Contrast-enhanced abdominal CT, axial slice 93 of 137 (counted from the lowest slice); tube voltage 120 kVp, convolution kernel FC52; slices 3.00 mm thick, 0.741 mm per pixel.
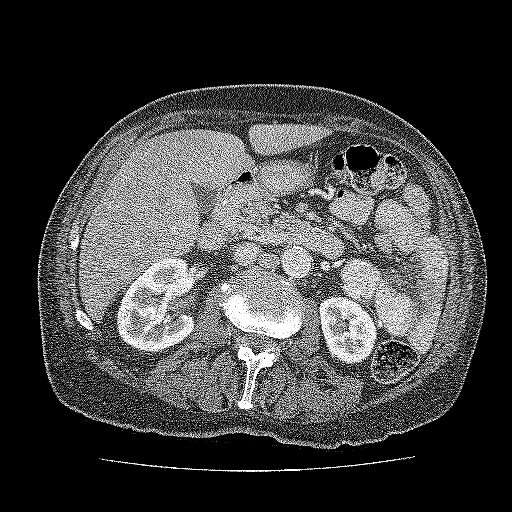
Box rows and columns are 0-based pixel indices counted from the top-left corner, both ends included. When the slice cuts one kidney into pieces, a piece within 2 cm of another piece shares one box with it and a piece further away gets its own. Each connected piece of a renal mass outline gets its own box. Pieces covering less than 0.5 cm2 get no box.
Two boxes on this slice (two kidney boxes), listed by box centre from the image's left to its right. (1) Box rows 258–353, columns 116–196: kidney (outlined area 5,816 px, about 31.9 cm2). (2) Box rows 295–364, columns 319–377: kidney (outlined area 3,143 px, about 17.3 cm2). No renal mass is outlined on this slice.